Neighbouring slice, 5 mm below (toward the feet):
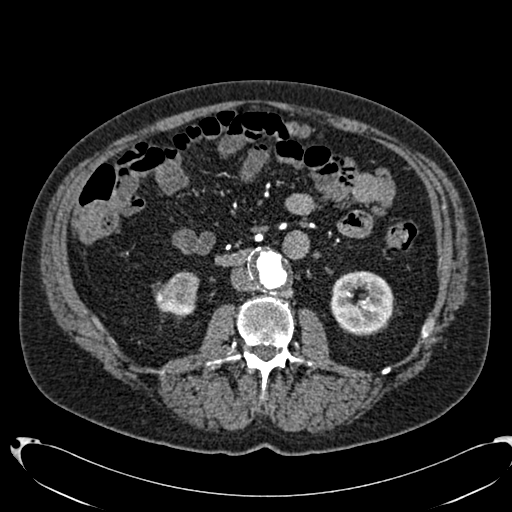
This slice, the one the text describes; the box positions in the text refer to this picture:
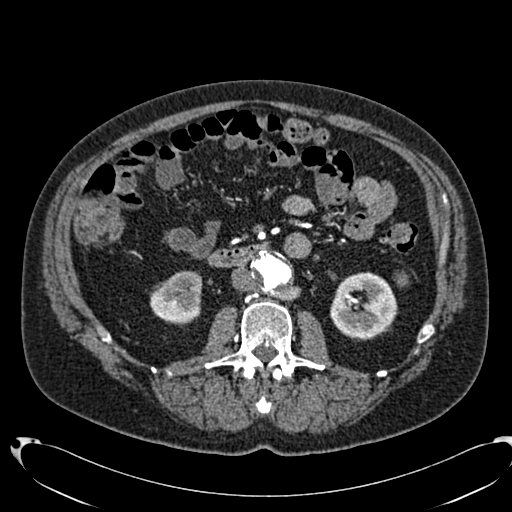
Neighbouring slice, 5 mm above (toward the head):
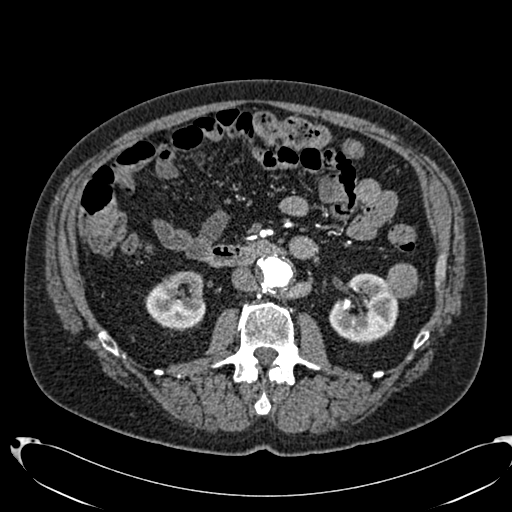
One axial slice (374 of 553, counting up from the lowest) of an arterial-phase abdominal CT acquired with 120 kVp, kernel B20f; each pixel is 0.773 mm and the slice is 1.00 mm thick.
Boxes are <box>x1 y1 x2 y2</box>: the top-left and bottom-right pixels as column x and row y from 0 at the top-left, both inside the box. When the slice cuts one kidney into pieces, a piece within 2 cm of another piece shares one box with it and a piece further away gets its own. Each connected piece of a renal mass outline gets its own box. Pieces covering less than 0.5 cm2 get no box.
Three boxes on this slice (two kidney boxes and one renal mass box), listed by box centre from the image's left to its right. (1) At <box>150 271 202 324</box>: right kidney (outlined area 2,181 px, about 13.0 cm2). (2) Left kidney: <box>330 272 397 340</box> (outlined area 3,486 px, about 20.9 cm2). (3) Left renal mass at <box>394 271 408 287</box> (outlined area 165 px, about 1.0 cm2). This slice lies near the end of the left renal mass toward the feet; the slices 5 mm below and 5 mm above it are shown too, and the boxes mark positions on this slice only.